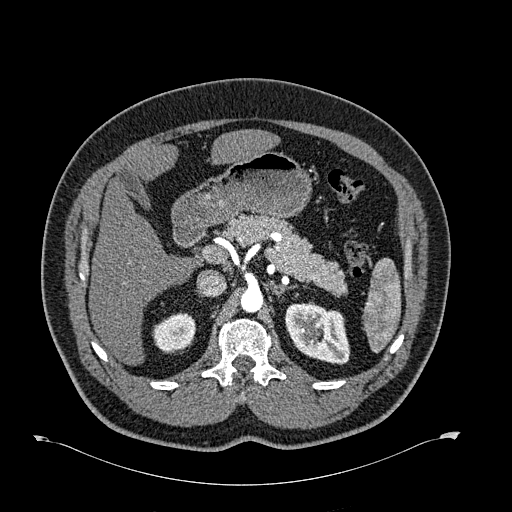
One axial slice (445 of 723, counting up from the lowest) of an arterial-phase abdominal CT acquired with 120 kVp, kernel B30f; each pixel is 0.895 mm and the slice is 1.00 mm thick.
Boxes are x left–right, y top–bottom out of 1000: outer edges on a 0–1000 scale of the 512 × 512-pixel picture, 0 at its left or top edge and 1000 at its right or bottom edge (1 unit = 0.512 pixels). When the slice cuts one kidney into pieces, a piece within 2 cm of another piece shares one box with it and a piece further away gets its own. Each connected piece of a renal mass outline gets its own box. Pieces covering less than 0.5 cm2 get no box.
Two kidney boxes on this slice; by box centre, from the image's left to its right: (1) Right kidney at x 297–385, y 609–691 out of 1000 (outlined area 1,382 px, about 11.1 cm2). (2) Left kidney, box x 557–684, y 588–713 out of 1000 (outlined area 3,043 px, about 24.3 cm2). No renal mass is outlined on this slice.